Abdominal CT with intravenous contrast, axial plane, 120 kVp, kernel FC18. Slice 60/91 from the bottom of the scan; thickness 5.00 mm; pixel size 0.766 mm.
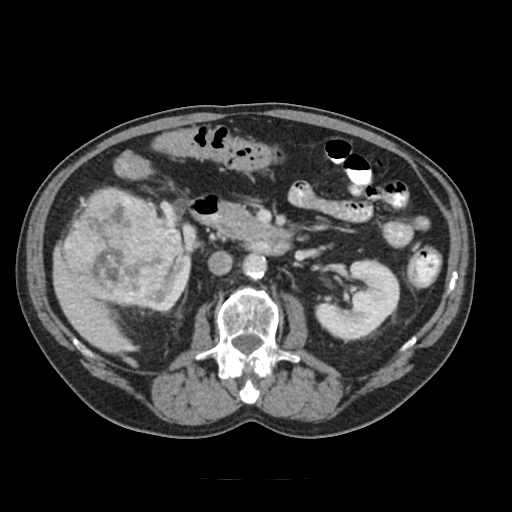
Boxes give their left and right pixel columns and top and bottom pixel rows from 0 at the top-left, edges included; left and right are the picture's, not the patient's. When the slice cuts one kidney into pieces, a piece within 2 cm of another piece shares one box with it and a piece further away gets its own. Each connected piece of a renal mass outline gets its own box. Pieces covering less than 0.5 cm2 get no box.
Boxed on this slice (two kidney boxes and one renal mass box), listed by box centre from the image's left to its right: (1) Right renal mass in the box with left 61, top 187, right 182, bottom 304 (outlined area 10,167 px, about 59.7 cm2). (2) Box with left 132, top 246, right 190, bottom 309: right kidney (outlined area 1,331 px, about 7.8 cm2). (3) Left kidney, the box with left 313, top 259, right 400, bottom 341 (outlined area 4,647 px, about 27.3 cm2).